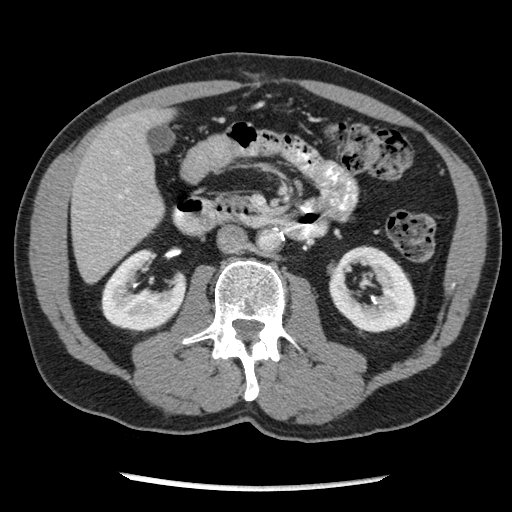
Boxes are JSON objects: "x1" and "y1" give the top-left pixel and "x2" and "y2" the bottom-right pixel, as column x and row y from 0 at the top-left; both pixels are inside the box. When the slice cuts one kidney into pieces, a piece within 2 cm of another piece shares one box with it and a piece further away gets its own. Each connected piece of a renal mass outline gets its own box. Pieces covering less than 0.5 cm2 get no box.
Slice 116/262 of a contrast-enhanced abdominal CT in the arterial phase, counting up from the lowest; pixel size 0.703 mm, slice thickness 2.50 mm. Boxed on this slice (two kidney boxes), listed by box centre from the image's left to its right: (1) Box {"x1": 101, "y1": 249, "x2": 186, "y2": 331}: right kidney (outlined area 4,589 px, about 22.7 cm2). (2) Box {"x1": 328, "y1": 245, "x2": 416, "y2": 332}: left kidney (outlined area 5,179 px, about 25.6 cm2).
Scan settings: 120 kVp, STANDARD reconstruction kernel.